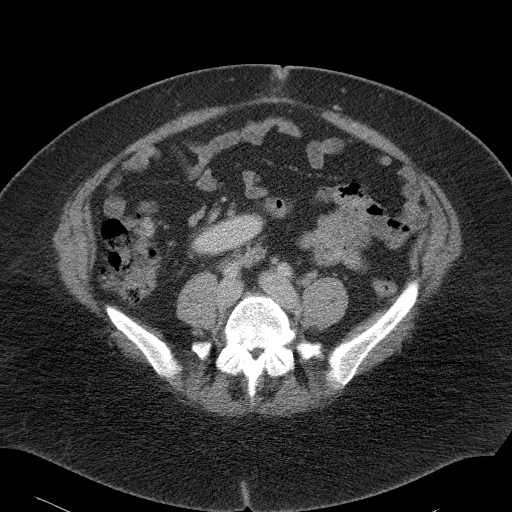
Axial slice 41 of 90 of a contrast-enhanced abdominal CT (slice 1 is the lowest), 120 kVp, kernel B41f; 5.00 mm slice thickness and 0.781 mm pixels.
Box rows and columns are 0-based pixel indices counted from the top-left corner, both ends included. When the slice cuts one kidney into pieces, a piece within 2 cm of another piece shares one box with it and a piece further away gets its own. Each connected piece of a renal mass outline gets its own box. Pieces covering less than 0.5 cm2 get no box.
Right kidney at rows 213–257, columns 190–265 (outlined area 2,178 px, about 13.3 cm2). No renal mass outline on this slice.